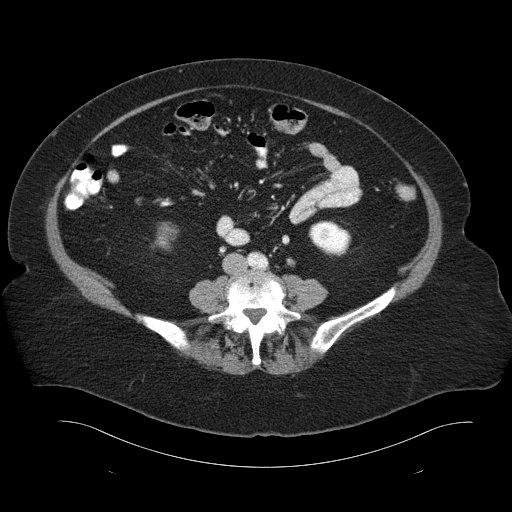
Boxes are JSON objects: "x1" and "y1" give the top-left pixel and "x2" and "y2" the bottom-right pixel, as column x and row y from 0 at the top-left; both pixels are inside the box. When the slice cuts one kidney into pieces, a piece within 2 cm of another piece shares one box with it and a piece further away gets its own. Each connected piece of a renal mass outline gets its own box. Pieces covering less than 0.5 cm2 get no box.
Slice 44/93 of a contrast-enhanced abdominal CT, counting up from the lowest; pixel size 0.938 mm, slice thickness 5.00 mm. Two kidney boxes on this slice; by box centre, from the image's left to its right: (1) Right kidney at {"x1": 151, "y1": 222, "x2": 178, "y2": 250} (outlined area 511 px, about 4.5 cm2). (2) Left kidney at {"x1": 308, "y1": 220, "x2": 351, "y2": 256} (outlined area 1,163 px, about 10.2 cm2). No renal mass is outlined on this slice.
Acquired at 120 kVp and reconstructed with the B30f kernel.